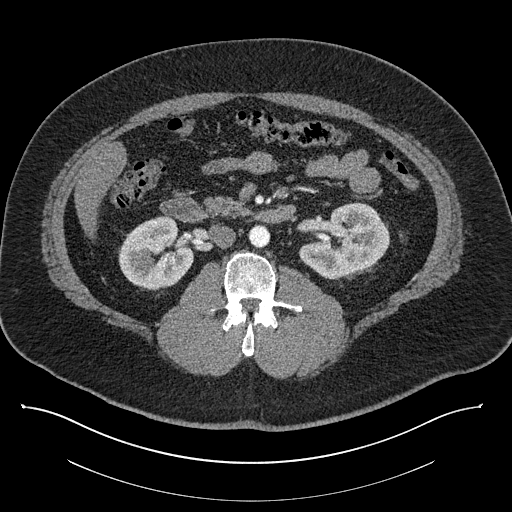
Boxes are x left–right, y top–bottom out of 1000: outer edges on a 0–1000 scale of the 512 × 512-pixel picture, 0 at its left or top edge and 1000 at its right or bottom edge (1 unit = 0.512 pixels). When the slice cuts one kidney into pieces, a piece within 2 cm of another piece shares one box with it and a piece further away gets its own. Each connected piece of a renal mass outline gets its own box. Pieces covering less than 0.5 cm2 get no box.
Slice 476/787 of a contrast-enhanced abdominal CT, counting up from the lowest; pixel size 0.910 mm, slice thickness 1.00 mm. Two kidney boxes on this slice; by box centre, from the image's left to its right: (1) Right kidney, box x 230–379, y 422–568 out of 1000 (outlined area 4,131 px, about 34.2 cm2). (2) Left kidney at x 582–764, y 395–547 out of 1000 (outlined area 4,818 px, about 39.9 cm2). This slice carries no renal mass outline.
Tube voltage 140 kVp; convolution kernel I30f.